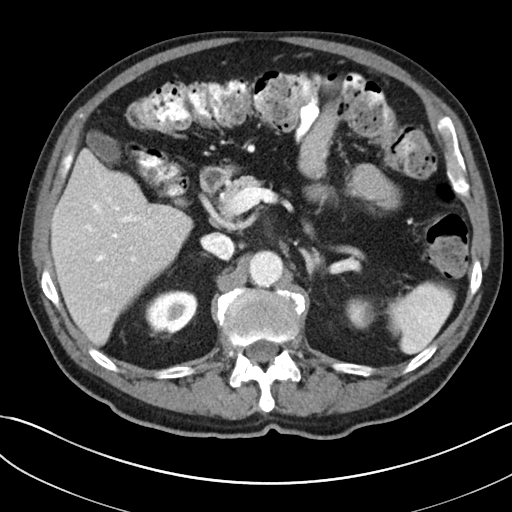
One axial slice (143 of 269, counting up from the lowest) of a contrast-enhanced abdominal CT acquired with 100 kVp, kernel I30f; each pixel is 0.732 mm and the slice is 5.00 mm thick.
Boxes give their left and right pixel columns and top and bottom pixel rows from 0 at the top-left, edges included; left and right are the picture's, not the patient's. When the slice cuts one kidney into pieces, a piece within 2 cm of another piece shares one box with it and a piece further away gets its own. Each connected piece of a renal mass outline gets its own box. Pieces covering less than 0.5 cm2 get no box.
Two kidney boxes on this slice; by box centre, from the image's left to its right: (1) Right kidney in the box with left 145, top 290, right 197, bottom 333 (outlined area 1,773 px, about 9.5 cm2). (2) Left kidney, the box with left 345, top 297, right 376, bottom 329 (outlined area 758 px, about 4.1 cm2). No renal mass outline on this slice.